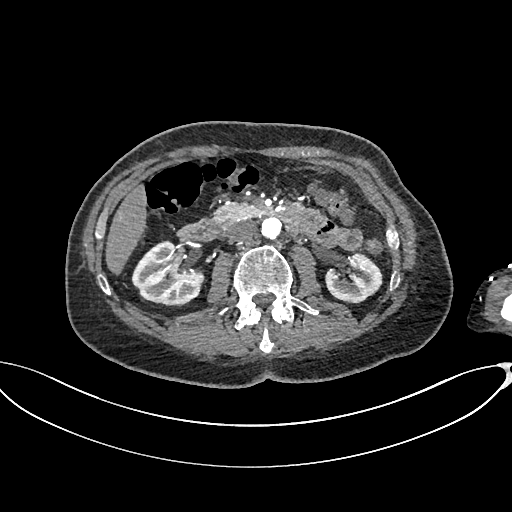
Abdominal CT with intravenous contrast, arterial phase, axial plane, 100 kVp, kernel I26f. Slice 381/665 from the bottom of the scan; thickness 1.00 mm; pixel size 0.828 mm.
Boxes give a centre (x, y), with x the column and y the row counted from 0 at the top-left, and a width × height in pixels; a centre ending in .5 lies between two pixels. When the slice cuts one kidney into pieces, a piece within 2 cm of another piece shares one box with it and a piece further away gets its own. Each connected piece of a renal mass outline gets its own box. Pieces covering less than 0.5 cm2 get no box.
Two boxes on this slice (two kidney boxes), listed by box centre from the image's left to its right. (1) Right kidney, box centre (167.5, 273.5), 74 × 66 pixels (outlined area 3,369 px, about 23.1 cm2). (2) Box centre (353.5, 277.5), 58 × 52 pixels: left kidney (outlined area 2,130 px, about 14.6 cm2). No renal mass outline on this slice.